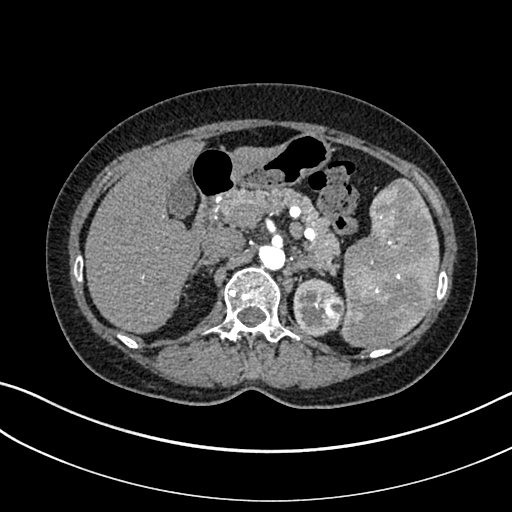
One axial slice (231 of 325, counting up from the lowest) of an arterial-phase abdominal CT acquired with 100 kVp, kernel I30f; each pixel is 0.703 mm and the slice is 1.00 mm thick.
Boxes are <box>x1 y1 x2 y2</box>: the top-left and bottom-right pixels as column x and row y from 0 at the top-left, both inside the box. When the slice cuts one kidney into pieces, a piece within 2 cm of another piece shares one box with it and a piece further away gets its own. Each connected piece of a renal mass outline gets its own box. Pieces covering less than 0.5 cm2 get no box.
Boxed on this slice (one kidney box and one renal mass box), listed by box centre from the image's left to its right: (1) At <box>293 278 334 336</box>: left kidney (outlined area 1,457 px, about 7.2 cm2). (2) At <box>315 292 345 330</box>: left renal mass (outlined area 897 px, about 4.4 cm2).